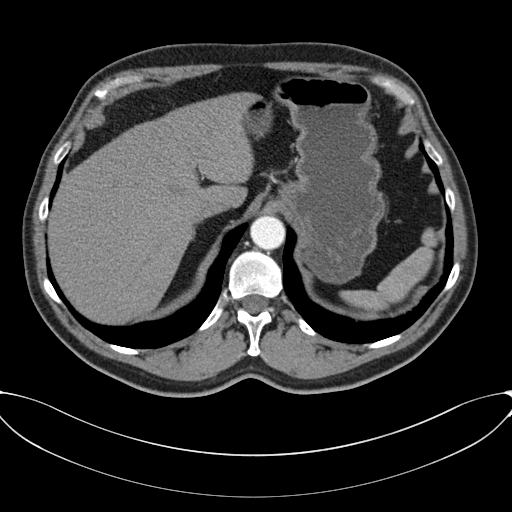
Contrast-enhanced abdominal CT, axial slice 59 of 80 (counted from the lowest slice); 3.00 mm thick, 0.822 mm per pixel. This slice carries no outline: it lies beyond the outlined kidneys and beyond every outlined renal mass. Other organs are not outlined in this scan.
Scan settings: 120 kVp, B30f reconstruction kernel.